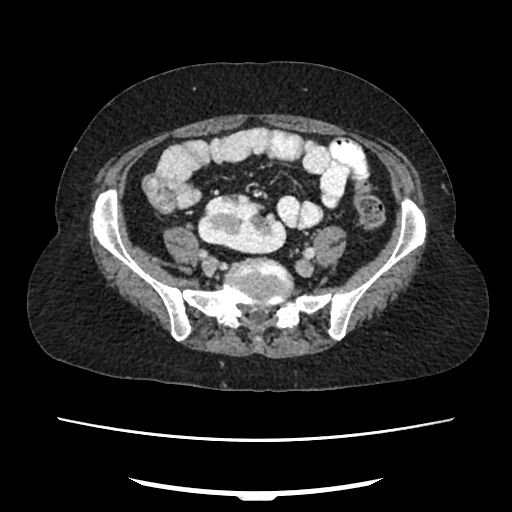
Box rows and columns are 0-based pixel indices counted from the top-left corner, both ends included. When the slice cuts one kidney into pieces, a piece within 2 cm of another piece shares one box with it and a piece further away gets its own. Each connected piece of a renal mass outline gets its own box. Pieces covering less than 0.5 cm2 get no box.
Slice 80/207 of a contrast-enhanced abdominal CT in the arterial phase, counting up from the lowest; pixel size 0.741 mm, slice thickness 2.00 mm. Right kidney, box rows 194–253, columns 197–286 (outlined area 3,927 px, about 21.6 cm2). This slice carries no renal mass outline.
Scan settings: 120 kVp, FC18 reconstruction kernel.